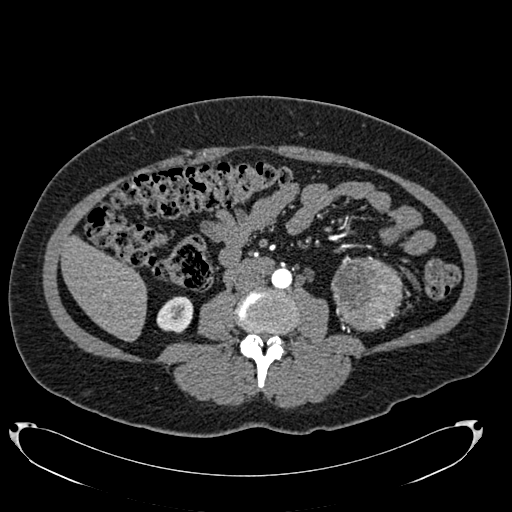
Arterial-phase contrast-enhanced abdominal CT, axial slice 332 of 634 (counted from the lowest slice); tube voltage 120 kVp, convolution kernel B20f; slices 1.00 mm thick, 0.838 mm per pixel.
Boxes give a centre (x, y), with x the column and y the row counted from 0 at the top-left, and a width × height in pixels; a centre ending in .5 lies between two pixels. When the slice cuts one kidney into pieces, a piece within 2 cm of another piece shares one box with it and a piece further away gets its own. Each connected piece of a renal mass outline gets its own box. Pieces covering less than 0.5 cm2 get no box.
One kidney box and one renal mass box on this slice; by box centre, from the image's left to its right: (1) Right kidney in a box with centre (174.5, 314.5), 38 × 38 pixels (outlined area 1,067 px, about 7.5 cm2). (2) Box centre (366.5, 293), 72 × 77 pixels: left renal mass (outlined area 4,239 px, about 29.8 cm2); it sits over 1 cm from every kidney outline on this slice, but the same outlined renal mass comes within 1 cm of the kidney on another slice.